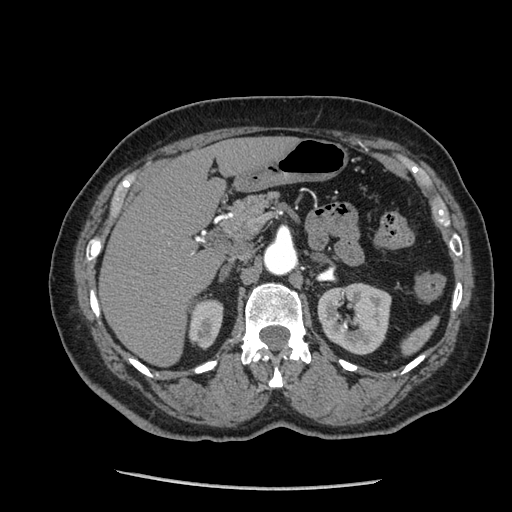
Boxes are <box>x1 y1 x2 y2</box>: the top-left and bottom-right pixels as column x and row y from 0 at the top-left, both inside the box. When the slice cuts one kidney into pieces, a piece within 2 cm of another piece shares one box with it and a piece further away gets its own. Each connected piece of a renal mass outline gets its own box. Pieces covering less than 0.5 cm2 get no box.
This is axial slice 146 of 233 (slice 1 is the lowest) of an arterial-phase abdominal CT with contrast; each pixel is 0.703 mm and the slice is 1.25 mm thick. Two boxes on this slice (two kidney boxes), listed by box centre from the image's left to its right. (1) Right kidney: <box>188 296 223 349</box> (outlined area 1,506 px, about 7.4 cm2). (2) Left kidney: <box>317 282 391 355</box> (outlined area 4,087 px, about 20.2 cm2). No renal mass outline on this slice.
Acquired at 120 kVp and reconstructed with the STANDARD kernel.